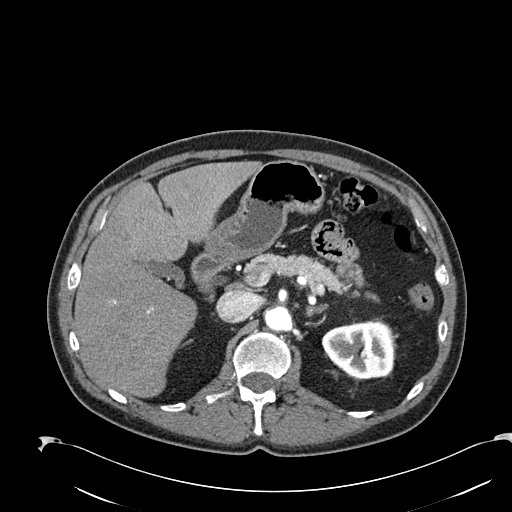
Arterial-phase contrast-enhanced abdominal CT, axial slice 150 of 274 (counted from the lowest slice); tube voltage 120 kVp, convolution kernel B30f; slices 2.00 mm thick, 0.809 mm per pixel.
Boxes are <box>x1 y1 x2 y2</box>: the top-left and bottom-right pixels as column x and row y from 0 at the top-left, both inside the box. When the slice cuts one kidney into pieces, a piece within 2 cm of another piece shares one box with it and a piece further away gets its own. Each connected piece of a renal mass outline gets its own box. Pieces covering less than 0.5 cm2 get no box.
Left kidney at <box>322 320 395 378</box> (outlined area 3,437 px, about 22.5 cm2). No renal mass is outlined on this slice.